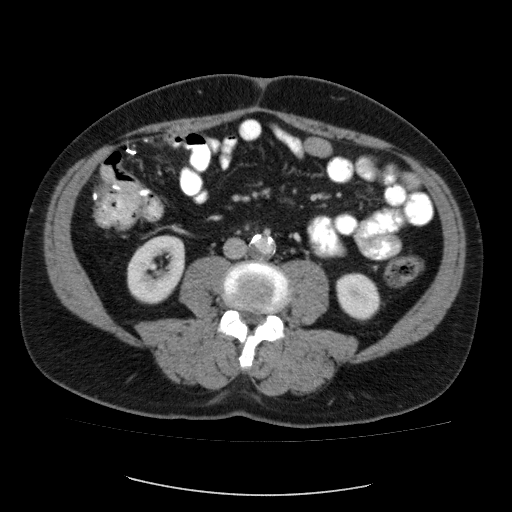
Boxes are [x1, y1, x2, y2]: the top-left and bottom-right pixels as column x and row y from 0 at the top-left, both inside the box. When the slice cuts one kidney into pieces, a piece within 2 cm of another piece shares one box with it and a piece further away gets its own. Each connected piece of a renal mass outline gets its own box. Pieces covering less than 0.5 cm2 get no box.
This is axial slice 44 of 87 (slice 1 is the lowest) of an abdominal CT with contrast; each pixel is 0.812 mm and the slice is 5.00 mm thick. Two boxes on this slice (two kidney boxes), listed by box centre from the image's left to its right. (1) Right kidney at [127, 235, 184, 304] (outlined area 3,072 px, about 20.3 cm2). (2) Left kidney at [335, 272, 381, 320] (outlined area 1,682 px, about 11.1 cm2). No renal mass outline on this slice.
Scan settings: 120 kVp, FC12 reconstruction kernel.